Axial slice 341 of 1059 of a contrast-enhanced abdominal CT in the arterial phase (slice 1 is the lowest), 100 kVp, kernel I30f; 1.00 mm slice thickness and 0.811 mm pixels.
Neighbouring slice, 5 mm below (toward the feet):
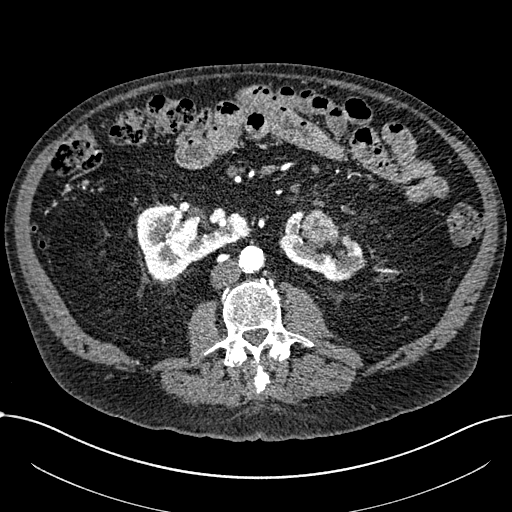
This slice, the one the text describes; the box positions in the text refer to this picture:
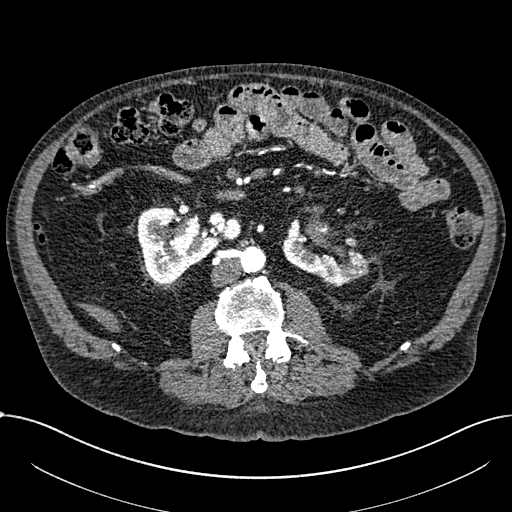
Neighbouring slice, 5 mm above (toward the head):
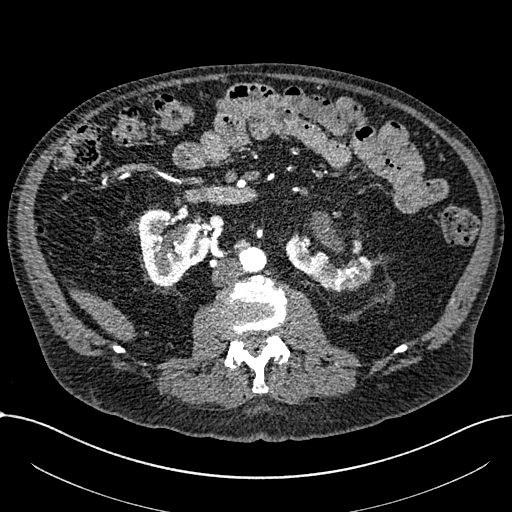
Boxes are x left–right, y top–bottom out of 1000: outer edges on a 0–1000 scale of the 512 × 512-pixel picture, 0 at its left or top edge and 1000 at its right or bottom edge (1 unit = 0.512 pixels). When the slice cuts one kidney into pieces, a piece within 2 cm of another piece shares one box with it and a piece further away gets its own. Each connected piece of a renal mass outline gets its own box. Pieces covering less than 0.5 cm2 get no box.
Boxed on this slice (two kidney boxes and one renal mass box), listed by box centre from the image's left to its right: (1) Box x 268–465, y 402–553 out of 1000: right part of the midline-crossing kidney (outlined area 4,939 px, about 32.4 cm2). (2) Left part of the midline-crossing kidney at x 551–721, y 426–561 out of 1000 (outlined area 2,808 px, about 18.4 cm2). (3) Renal mass, box x 604–674, y 428–502 out of 1000 (outlined area 659 px, about 4.3 cm2). This slice is near the end of a renal mass toward the head, so the slices 5 mm below and 5 mm above it are shown as well; the boxes refer to this slice only.